Abdominal CT with intravenous contrast, axial plane, 140 kVp, kernel I30f. Slice 562/834 from the bottom of the scan; thickness 1.00 mm; pixel size 0.977 mm.
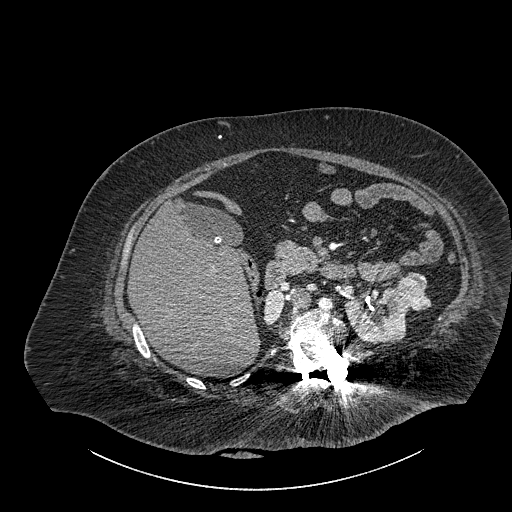
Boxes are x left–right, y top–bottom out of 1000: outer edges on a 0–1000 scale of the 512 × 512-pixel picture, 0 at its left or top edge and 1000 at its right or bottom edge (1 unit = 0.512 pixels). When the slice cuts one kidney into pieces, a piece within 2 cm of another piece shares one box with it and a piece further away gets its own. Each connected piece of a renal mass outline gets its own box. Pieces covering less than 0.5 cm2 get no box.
Boxed on this slice (two kidney boxes and one renal mass box), listed by box centre from the image's left to its right: (1) Right part of the midline-crossing kidney, box x 514–557, y 564–635 out of 1000 (outlined area 556 px, about 5.3 cm2). (2) Left part of the midline-crossing kidney, box x 672–799, y 561–670 out of 1000 (outlined area 2,617 px, about 25.0 cm2). (3) Renal mass at x 773–842, y 531–607 out of 1000 (outlined area 982 px, about 9.4 cm2).